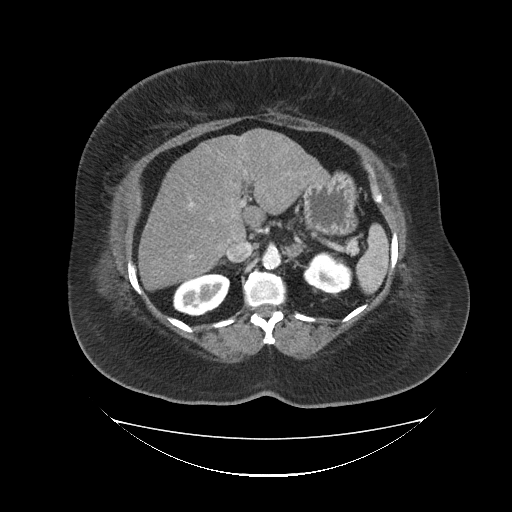
Arterial-phase contrast-enhanced abdominal CT, axial slice 66 of 85 (counted from the lowest slice); tube voltage 120 kVp, convolution kernel FC19; slices 5.00 mm thick, 1.041 mm per pixel.
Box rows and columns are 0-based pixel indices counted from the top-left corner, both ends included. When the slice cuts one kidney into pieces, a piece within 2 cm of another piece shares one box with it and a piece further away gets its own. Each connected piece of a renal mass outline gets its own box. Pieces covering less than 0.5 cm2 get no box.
Two boxes on this slice (two kidney boxes), listed by box centre from the image's left to its right. (1) Right kidney, box rows 273–316, columns 172–230 (outlined area 1,864 px, about 20.2 cm2). (2) Left kidney, box rows 251–293, columns 303–351 (outlined area 1,461 px, about 15.8 cm2). No renal mass outline on this slice.